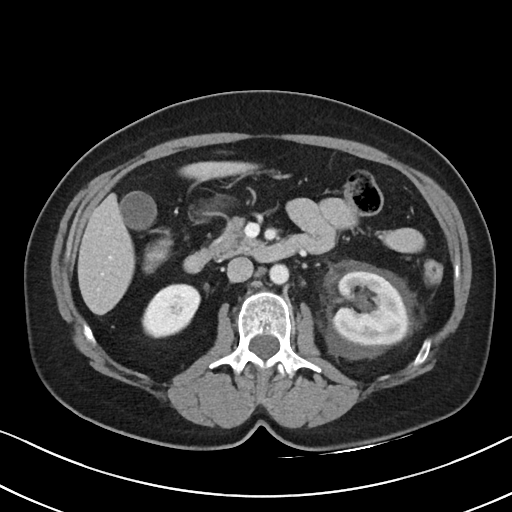
One axial slice (56 of 88, counting up from the lowest) of a contrast-enhanced abdominal CT acquired with 100 kVp, kernel I40f; each pixel is 0.674 mm and the slice is 5.00 mm thick.
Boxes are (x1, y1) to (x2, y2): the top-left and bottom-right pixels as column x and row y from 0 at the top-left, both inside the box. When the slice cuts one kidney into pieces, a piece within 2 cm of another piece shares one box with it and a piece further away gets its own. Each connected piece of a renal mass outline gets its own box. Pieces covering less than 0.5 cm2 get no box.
Two kidney boxes on this slice; by box centre, from the image's left to its right: (1) Box (141, 283) to (200, 338): right kidney (outlined area 2,374 px, about 10.8 cm2). (2) Left kidney from (332, 271) to (409, 346) (outlined area 4,612 px, about 20.9 cm2). No renal mass outline on this slice.